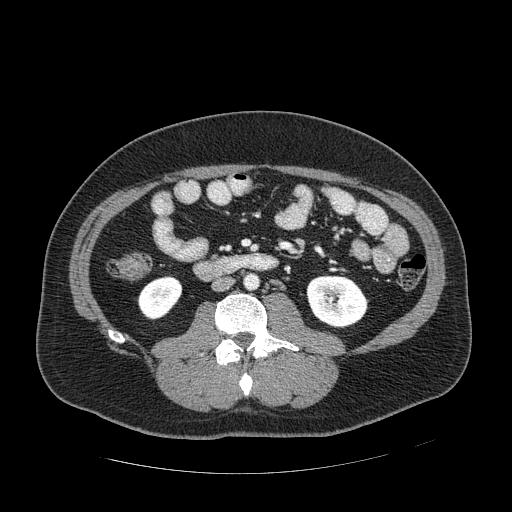
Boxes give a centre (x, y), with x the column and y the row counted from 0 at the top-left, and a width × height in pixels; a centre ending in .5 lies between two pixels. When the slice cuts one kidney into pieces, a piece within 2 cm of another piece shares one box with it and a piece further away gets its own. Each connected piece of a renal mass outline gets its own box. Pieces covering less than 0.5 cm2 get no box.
Slice 229/389 of a contrast-enhanced abdominal CT in the arterial phase, counting up from the lowest; pixel size 0.869 mm, slice thickness 1.25 mm. Two kidney boxes on this slice; by box centre, from the image's left to its right: (1) Right kidney in a box with centre (159.5, 297.5), 46 × 46 pixels (outlined area 1,440 px, about 10.9 cm2). (2) Left kidney in a box with centre (336.5, 301), 62 × 53 pixels (outlined area 2,545 px, about 19.2 cm2). No renal mass outline on this slice.
Tube voltage 120 kVp; convolution kernel STANDARD.